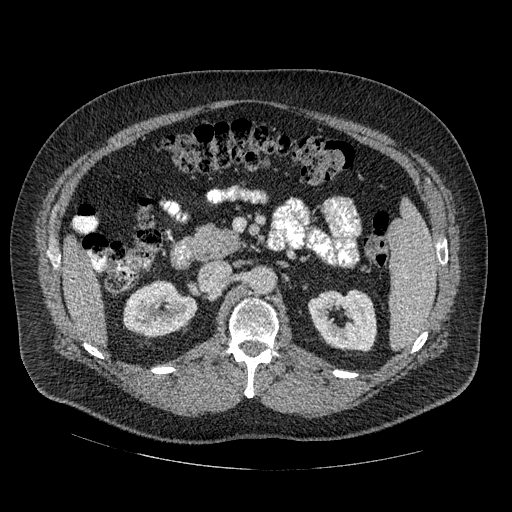
Axial slice 290 of 445 of a contrast-enhanced abdominal CT in the arterial phase (slice 1 is the lowest), 120 kVp, kernel STANDARD; 1.25 mm slice thickness and 0.863 mm pixels.
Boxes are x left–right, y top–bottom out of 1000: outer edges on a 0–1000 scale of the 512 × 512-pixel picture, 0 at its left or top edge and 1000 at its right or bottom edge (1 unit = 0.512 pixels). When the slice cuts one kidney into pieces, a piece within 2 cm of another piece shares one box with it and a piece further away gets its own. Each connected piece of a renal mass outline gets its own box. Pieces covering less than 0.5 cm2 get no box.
Two boxes on this slice (two kidney boxes), listed by box centre from the image's left to its right. (1) Box x 240–387, y 547–656 out of 1000: right kidney (outlined area 3,075 px, about 22.9 cm2). (2) Left kidney, box x 604–736, y 566–688 out of 1000 (outlined area 3,254 px, about 24.3 cm2). No renal mass outline on this slice.